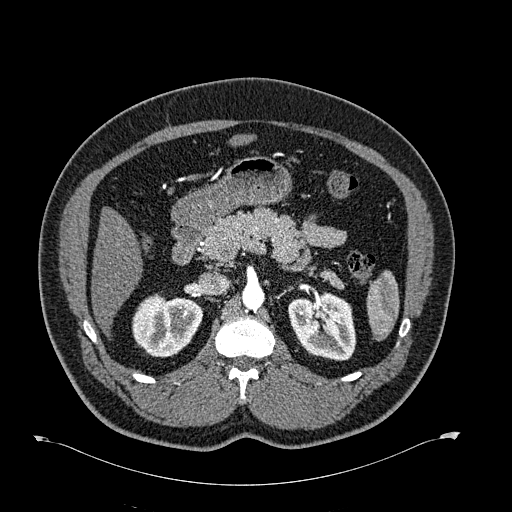
Arterial-phase contrast-enhanced abdominal CT, axial slice 416 of 723 (counted from the lowest slice); tube voltage 120 kVp, convolution kernel B30f; slices 1.00 mm thick, 0.895 mm per pixel.
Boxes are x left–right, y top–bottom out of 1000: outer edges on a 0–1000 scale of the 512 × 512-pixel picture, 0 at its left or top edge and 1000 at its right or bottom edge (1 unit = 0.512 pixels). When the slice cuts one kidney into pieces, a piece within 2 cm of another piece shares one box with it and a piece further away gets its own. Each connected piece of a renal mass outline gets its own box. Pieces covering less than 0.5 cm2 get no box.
Boxed on this slice (two kidney boxes), listed by box centre from the image's left to its right: (1) Right kidney at x 258–398, y 572–699 out of 1000 (outlined area 3,407 px, about 27.3 cm2). (2) Left kidney at x 563–697, y 568–705 out of 1000 (outlined area 3,660 px, about 29.3 cm2). No renal mass is outlined on this slice.